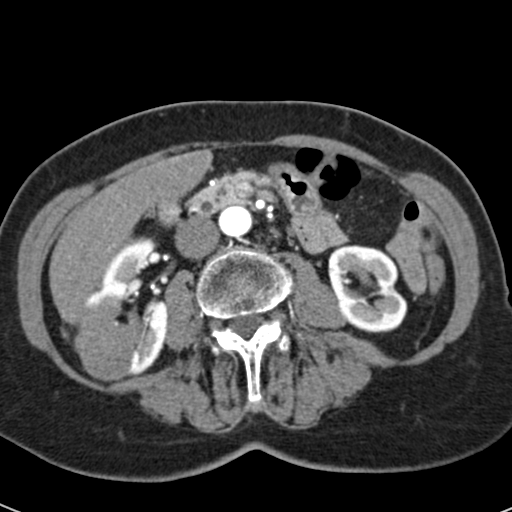
Abdominal CT with intravenous contrast, arterial phase, axial plane, 120 kVp, kernel B30f. Slice 23/53 from the bottom of the scan; thickness 3.00 mm; pixel size 0.547 mm.
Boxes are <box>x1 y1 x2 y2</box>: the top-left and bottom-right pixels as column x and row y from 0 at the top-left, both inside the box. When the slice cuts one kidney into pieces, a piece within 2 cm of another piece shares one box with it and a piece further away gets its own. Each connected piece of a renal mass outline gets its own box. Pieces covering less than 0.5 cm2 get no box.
Three boxes on this slice (two kidney boxes and one renal mass box), listed by box centre from the image's left to its right. (1) Right renal mass: <box>73 295 157 381</box> (outlined area 4,726 px, about 14.1 cm2). (2) At <box>84 237 168 376</box>: right kidney (outlined area 4,238 px, about 12.7 cm2). (3) Left kidney: <box>328 245 407 332</box> (outlined area 5,125 px, about 15.3 cm2).